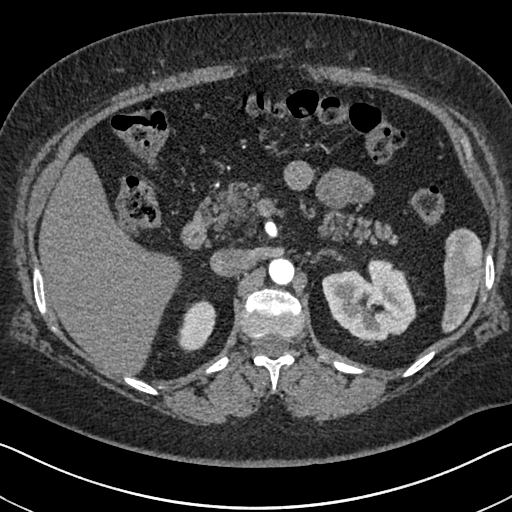
One axial slice (461 of 591, counting up from the lowest) of an arterial-phase abdominal CT acquired with 140 kVp, kernel I30f; each pixel is 0.703 mm and the slice is 1.00 mm thick.
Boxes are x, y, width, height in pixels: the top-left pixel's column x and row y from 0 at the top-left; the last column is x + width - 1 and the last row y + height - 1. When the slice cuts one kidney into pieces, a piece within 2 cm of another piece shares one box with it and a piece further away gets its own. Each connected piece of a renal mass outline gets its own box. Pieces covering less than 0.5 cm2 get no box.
Boxed on this slice (two kidney boxes), listed by box centre from the image's left to its right: (1) Box x 176, y 299, width 41, height 54: right kidney (outlined area 1,471 px, about 7.3 cm2). (2) Left kidney at x 322, y 258, width 95, height 87 (outlined area 5,647 px, about 27.9 cm2). No renal mass is outlined on this slice.